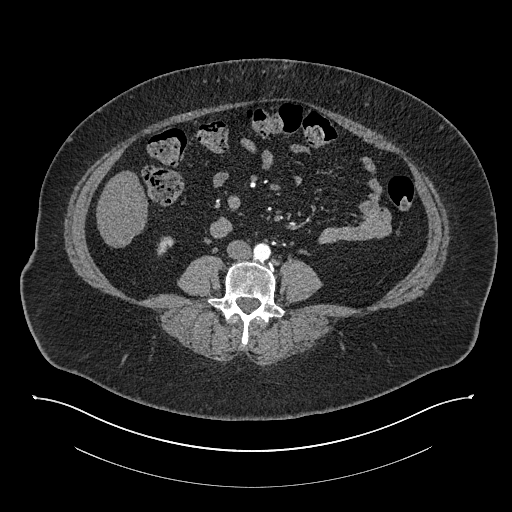
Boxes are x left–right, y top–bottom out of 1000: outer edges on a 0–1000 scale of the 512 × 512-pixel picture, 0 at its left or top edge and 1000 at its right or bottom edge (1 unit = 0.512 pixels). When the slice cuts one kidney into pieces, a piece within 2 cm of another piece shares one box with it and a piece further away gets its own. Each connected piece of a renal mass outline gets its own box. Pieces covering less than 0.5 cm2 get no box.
This is axial slice 327 of 673 (slice 1 is the lowest) of an arterial-phase abdominal CT with contrast; each pixel is 0.957 mm and the slice is 1.00 mm thick. Box x 305–342, y 461–500 out of 1000: right kidney (outlined area 225 px, about 2.1 cm2). This slice carries no renal mass outline.
Acquired at 140 kVp and reconstructed with the I30f kernel.